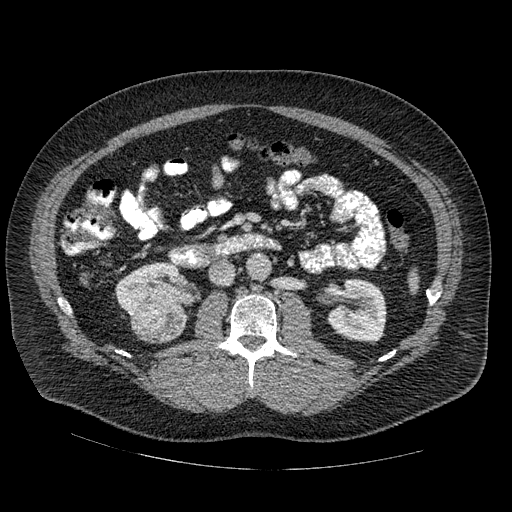
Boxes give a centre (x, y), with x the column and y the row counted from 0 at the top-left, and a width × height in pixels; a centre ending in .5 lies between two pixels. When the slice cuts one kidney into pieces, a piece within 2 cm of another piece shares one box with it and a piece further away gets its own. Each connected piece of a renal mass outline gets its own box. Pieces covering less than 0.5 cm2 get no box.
Arterial-phase contrast-enhanced abdominal CT, axial slice 265 of 445 (counted from the lowest slice); 1.25 mm thick, 0.863 mm per pixel. Three boxes on this slice (two kidney boxes and one renal mass box), listed by box centre from the image's left to its right. (1) Box centre (151, 289.5), 73 × 56 pixels: right kidney (outlined area 2,717 px, about 20.2 cm2). (2) Right renal mass, box centre (159, 324.5), 59 × 38 pixels (outlined area 1,709 px, about 12.7 cm2). (3) Left kidney, box centre (356.5, 310.5), 60 × 66 pixels (outlined area 2,932 px, about 21.9 cm2).
Scan settings: 120 kVp, STANDARD reconstruction kernel.